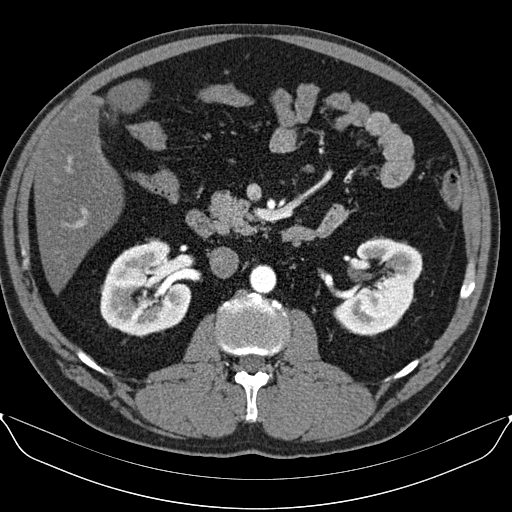
Arterial-phase contrast-enhanced abdominal CT, axial slice 50 of 96 (counted from the lowest slice); tube voltage 130 kVp, convolution kernel B30s; slices 3.00 mm thick, 0.781 mm per pixel.
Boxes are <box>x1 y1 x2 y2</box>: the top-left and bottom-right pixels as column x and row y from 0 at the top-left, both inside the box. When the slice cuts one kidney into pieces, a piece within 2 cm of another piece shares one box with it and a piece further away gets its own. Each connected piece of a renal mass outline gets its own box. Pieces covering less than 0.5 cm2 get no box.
Two kidney boxes on this slice; by box centre, from the image's left to its right: (1) At <box>100 241 191 335</box>: right kidney (outlined area 6,518 px, about 39.8 cm2). (2) Left kidney at <box>332 236 422 336</box> (outlined area 5,959 px, about 36.4 cm2). No renal mass outline on this slice.